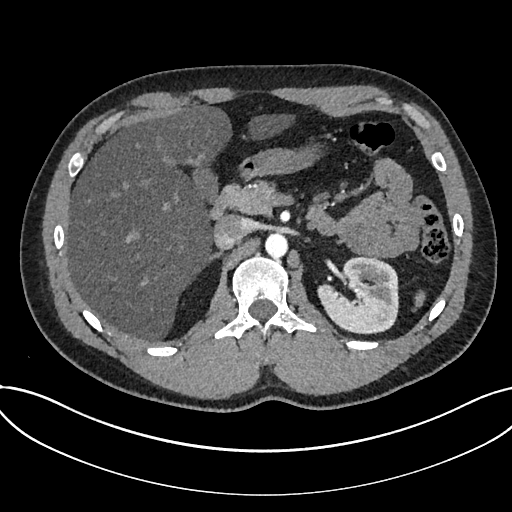
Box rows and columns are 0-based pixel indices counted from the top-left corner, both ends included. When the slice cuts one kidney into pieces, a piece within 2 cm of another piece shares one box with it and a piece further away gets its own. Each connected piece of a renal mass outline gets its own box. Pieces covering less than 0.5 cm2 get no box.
Slice 487/735 of a contrast-enhanced abdominal CT in the arterial phase, counting up from the lowest; pixel size 0.789 mm, slice thickness 1.00 mm. Box rows 255–334, columns 317–398: kidney (outlined area 4,820 px, about 30.0 cm2). No renal mass outline on this slice.
Tube voltage 120 kVp; convolution kernel I30f.